Axial slice 44 of 50 of a contrast-enhanced abdominal CT (slice 1 is the lowest), 100 kVp, kernel I40f; 5.00 mm slice thickness and 0.723 mm pixels.
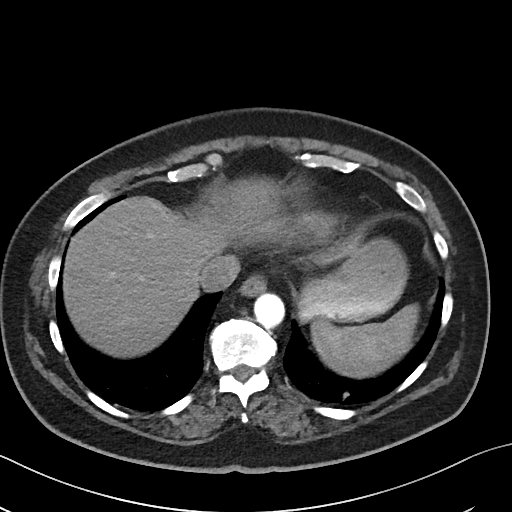
No kidney and no renal mass is outlined on this slice; the outlines in this scan cover only the kidneys and the renal masses, so nothing is said about any other organ.